Axial slice 185 of 326 of a contrast-enhanced abdominal CT in the arterial phase (slice 1 is the lowest), 120 kVp, kernel B31f; 2.00 mm slice thickness and 0.963 mm pixels.
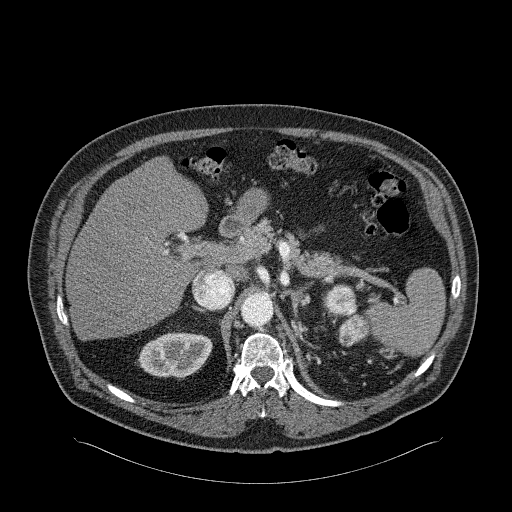
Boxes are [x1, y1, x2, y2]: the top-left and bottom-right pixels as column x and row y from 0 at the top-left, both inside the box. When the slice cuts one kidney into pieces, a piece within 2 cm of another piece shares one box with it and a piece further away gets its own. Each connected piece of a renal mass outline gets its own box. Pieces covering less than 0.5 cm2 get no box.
Boxed on this slice (one kidney box and two renal mass boxes), listed by box centre from the image's left to its right: (1) Right kidney at [138, 331, 212, 379] (outlined area 2,690 px, about 24.9 cm2). (2) Left renal mass at [322, 284, 357, 315] (outlined area 849 px, about 7.9 cm2); here it is more than 1 cm from any kidney outline, though on another slice the same outlined renal mass lies within 1 cm of the kidney. (3) Box [338, 313, 368, 346]: left renal mass (outlined area 777 px, about 7.2 cm2); on this slice it lies more than 1 cm from any kidney outline, but the same outlined renal mass comes within 1 cm of the kidney on another slice.